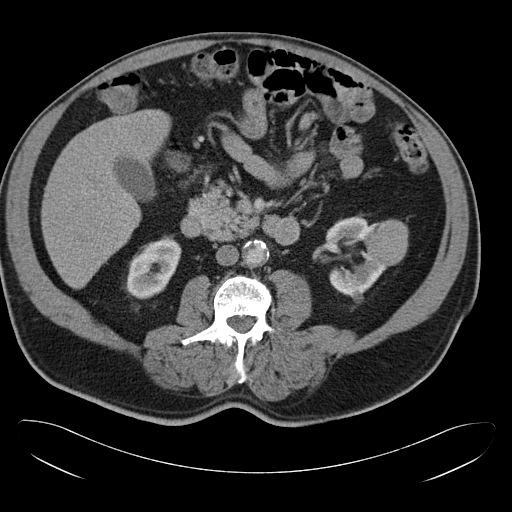
Abdominal CT with intravenous contrast, arterial phase, axial plane, 120 kVp, kernel B30f. Slice 14/34 from the bottom of the scan; thickness 5.00 mm; pixel size 0.830 mm.
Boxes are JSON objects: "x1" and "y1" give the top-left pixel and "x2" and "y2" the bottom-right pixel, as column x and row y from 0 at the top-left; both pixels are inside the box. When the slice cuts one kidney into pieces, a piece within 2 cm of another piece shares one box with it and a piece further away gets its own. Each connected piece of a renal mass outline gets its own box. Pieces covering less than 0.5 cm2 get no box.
Boxed on this slice (two kidney boxes and one renal mass box), listed by box centre from the image's left to its right: (1) Right kidney at {"x1": 126, "y1": 235, "x2": 181, "y2": 299} (outlined area 2,421 px, about 16.7 cm2). (2) Box {"x1": 325, "y1": 216, "x2": 388, "y2": 303}: left kidney (outlined area 2,949 px, about 20.3 cm2). (3) Left renal mass, box {"x1": 364, "y1": 219, "x2": 408, "y2": 265} (outlined area 1,605 px, about 11.1 cm2).